Axial slice 229 of 527 of a contrast-enhanced abdominal CT in the arterial phase (slice 1 is the lowest), 120 kVp, kernel I30f; 1.00 mm slice thickness and 0.859 mm pixels.
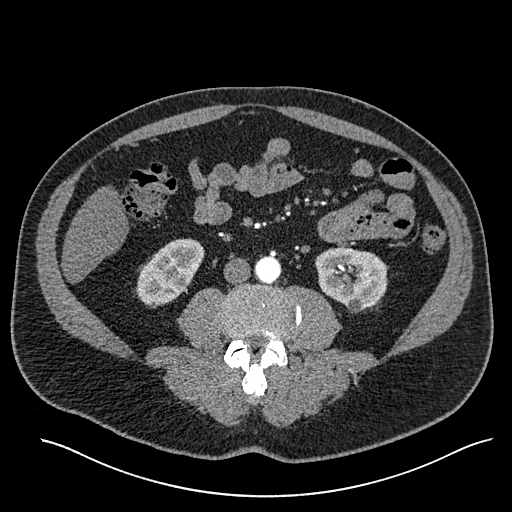
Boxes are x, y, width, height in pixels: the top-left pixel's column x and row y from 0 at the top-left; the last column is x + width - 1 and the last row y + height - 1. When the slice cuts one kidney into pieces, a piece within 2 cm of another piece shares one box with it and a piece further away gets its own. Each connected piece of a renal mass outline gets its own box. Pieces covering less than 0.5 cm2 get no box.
Two boxes on this slice (two kidney boxes), listed by box centre from the image's left to its right. (1) Right kidney, box x 136, y 238, width 69, height 69 (outlined area 3,083 px, about 22.8 cm2). (2) Box x 315, y 247, width 74, height 67: left kidney (outlined area 3,624 px, about 26.8 cm2). No renal mass is outlined on this slice.